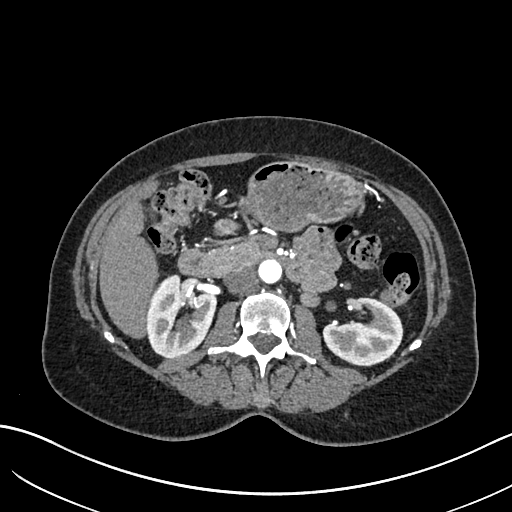
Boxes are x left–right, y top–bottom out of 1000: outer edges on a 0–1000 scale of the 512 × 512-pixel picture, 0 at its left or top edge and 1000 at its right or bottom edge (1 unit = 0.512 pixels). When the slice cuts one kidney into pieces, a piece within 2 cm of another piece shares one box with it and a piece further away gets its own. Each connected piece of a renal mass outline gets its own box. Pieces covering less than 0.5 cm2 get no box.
Arterial-phase contrast-enhanced abdominal CT, axial slice 371 of 683 (counted from the lowest slice); 1.00 mm thick, 0.738 mm per pixel. Two boxes on this slice (two kidney boxes), listed by box centre from the image's left to its right. (1) Box x 283–426, y 535–701 out of 1000: right kidney (outlined area 4,426 px, about 24.1 cm2). (2) Left kidney, box x 631–789, y 578–717 out of 1000 (outlined area 3,754 px, about 20.5 cm2). This slice carries no renal mass outline.
Acquired at 120 kVp and reconstructed with the I30f kernel.